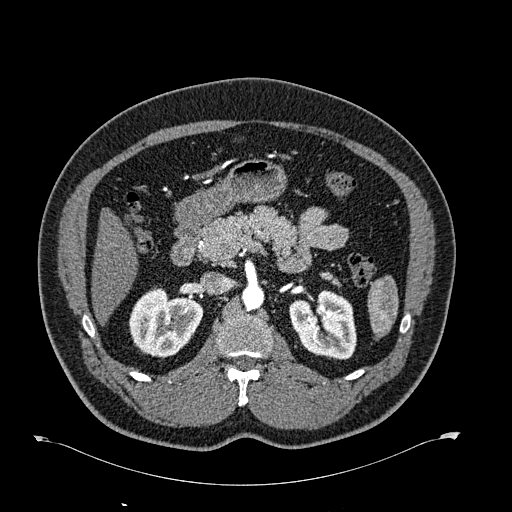
One axial slice (410 of 723, counting up from the lowest) of an arterial-phase abdominal CT acquired with 120 kVp, kernel B30f; each pixel is 0.895 mm and the slice is 1.00 mm thick.
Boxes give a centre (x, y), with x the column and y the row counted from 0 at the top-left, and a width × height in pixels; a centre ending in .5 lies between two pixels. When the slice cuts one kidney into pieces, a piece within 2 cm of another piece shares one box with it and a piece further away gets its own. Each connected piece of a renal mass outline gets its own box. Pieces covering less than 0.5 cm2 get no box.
Two boxes on this slice (two kidney boxes), listed by box centre from the image's left to its right. (1) Box centre (165.5, 321.5), 76 × 72 pixels: right kidney (outlined area 3,762 px, about 30.1 cm2). (2) Left kidney, box centre (322.5, 324), 68 × 71 pixels (outlined area 3,571 px, about 28.6 cm2). No renal mass outline on this slice.